Abdominal CT with intravenous contrast, arterial phase, axial plane, 100 kVp, kernel I40f. Slice 99/145 from the bottom of the scan; thickness 3.00 mm; pixel size 0.834 mm.
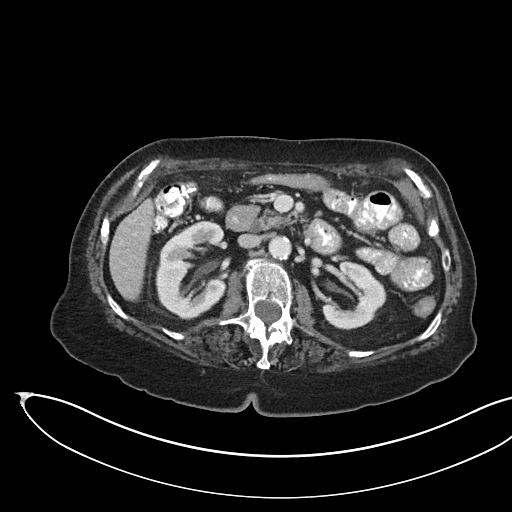
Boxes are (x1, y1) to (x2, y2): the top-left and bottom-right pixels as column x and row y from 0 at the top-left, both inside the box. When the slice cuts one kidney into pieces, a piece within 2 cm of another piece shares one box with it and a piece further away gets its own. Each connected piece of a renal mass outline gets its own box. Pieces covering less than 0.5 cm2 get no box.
Two boxes on this slice (two kidney boxes), listed by box centre from the image's left to its right. (1) Kidney, box (155, 220) to (227, 319) (outlined area 5,078 px, about 35.3 cm2). (2) Kidney, box (321, 261) to (385, 329) (outlined area 2,759 px, about 19.2 cm2). This slice carries no renal mass outline.